Abdominal CT with intravenous contrast, axial plane, 120 kVp, kernel FC18. Slice 84/103 from the bottom of the scan; thickness 3.00 mm; pixel size 0.714 mm.
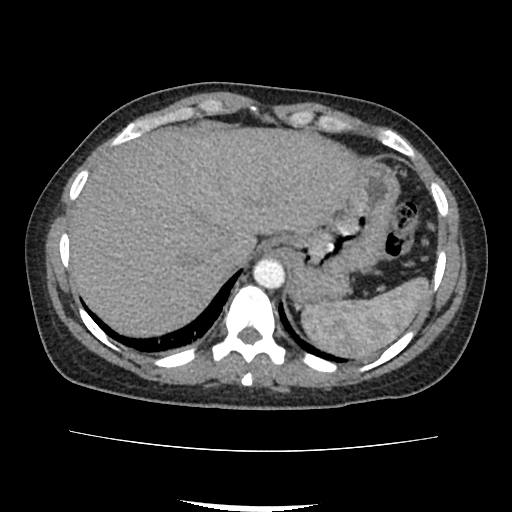
No kidney and no renal mass is outlined on this slice; the outlines in this scan cover only the kidneys and the renal masses, so nothing is said about any other organ.